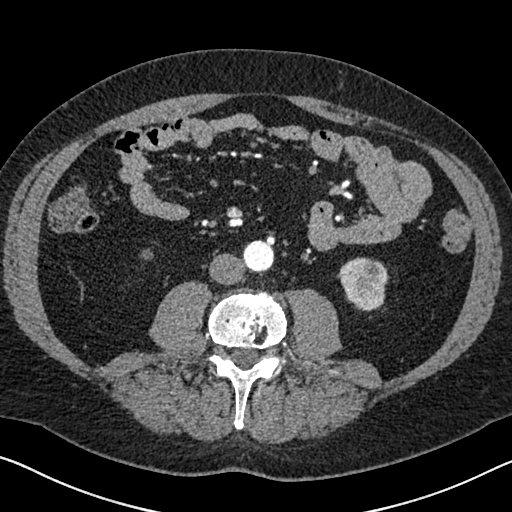
Axial slice 292 of 626 of a contrast-enhanced abdominal CT in the arterial phase (slice 1 is the lowest), 120 kVp, kernel I30f; 1.00 mm slice thickness and 0.703 mm pixels.
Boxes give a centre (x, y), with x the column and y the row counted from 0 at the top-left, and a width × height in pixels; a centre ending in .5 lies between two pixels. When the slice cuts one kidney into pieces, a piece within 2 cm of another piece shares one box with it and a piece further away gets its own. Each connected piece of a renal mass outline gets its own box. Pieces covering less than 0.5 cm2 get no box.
Left kidney, box centre (362.5, 283.5), 50 × 54 pixels (outlined area 2,035 px, about 10.1 cm2).